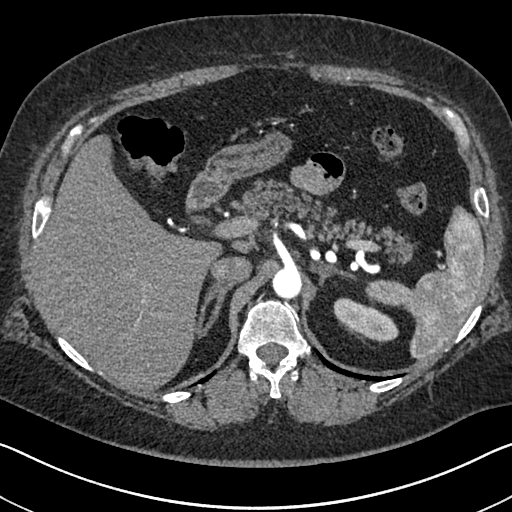
One axial slice (501 of 591, counting up from the lowest) of an arterial-phase abdominal CT acquired with 140 kVp, kernel I30f; each pixel is 0.703 mm and the slice is 1.00 mm thick.
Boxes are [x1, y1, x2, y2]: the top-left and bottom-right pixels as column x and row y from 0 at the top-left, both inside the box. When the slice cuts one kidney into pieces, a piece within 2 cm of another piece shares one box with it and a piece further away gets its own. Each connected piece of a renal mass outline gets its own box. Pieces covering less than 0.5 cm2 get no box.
Box [333, 297, 398, 341]: left kidney (outlined area 1,729 px, about 8.5 cm2). No renal mass outline on this slice.